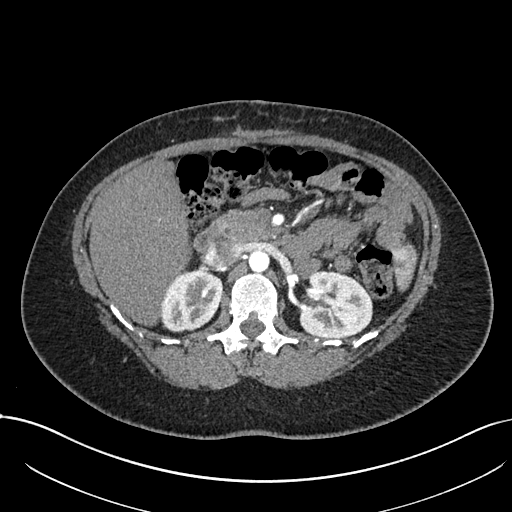
One axial slice (461 of 738, counting up from the lowest) of an arterial-phase abdominal CT acquired with 120 kVp, kernel I30f; each pixel is 0.789 mm and the slice is 1.00 mm thick.
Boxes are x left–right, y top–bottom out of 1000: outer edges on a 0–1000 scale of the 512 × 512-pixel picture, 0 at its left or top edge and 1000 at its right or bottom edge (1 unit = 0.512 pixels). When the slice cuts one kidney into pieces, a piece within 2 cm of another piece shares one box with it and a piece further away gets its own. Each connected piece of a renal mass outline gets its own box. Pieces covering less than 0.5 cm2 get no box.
Two kidney boxes on this slice; by box centre, from the image's left to its right: (1) Right kidney at x 313–436, y 525–648 out of 1000 (outlined area 3,068 px, about 19.1 cm2). (2) Box x 582–729, y 529–662 out of 1000: left kidney (outlined area 4,067 px, about 25.3 cm2). No renal mass is outlined on this slice.